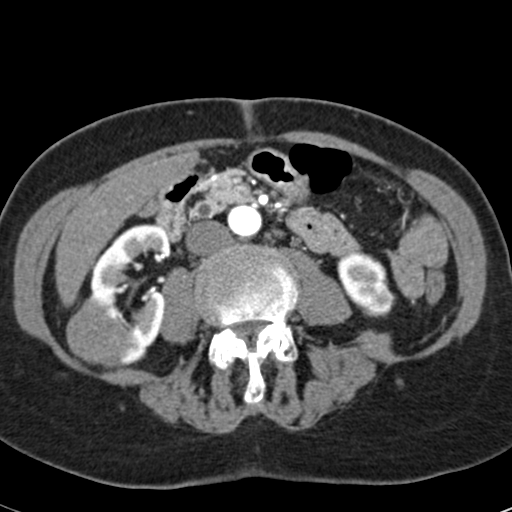
Abdominal CT with intravenous contrast, arterial phase, axial plane, 120 kVp, kernel B30f. Slice 19/53 from the bottom of the scan; thickness 3.00 mm; pixel size 0.547 mm.
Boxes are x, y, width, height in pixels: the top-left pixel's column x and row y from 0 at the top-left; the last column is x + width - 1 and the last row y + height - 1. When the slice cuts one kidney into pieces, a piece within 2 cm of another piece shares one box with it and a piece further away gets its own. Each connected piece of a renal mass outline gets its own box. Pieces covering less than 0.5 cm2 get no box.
Boxed on this slice (two kidney boxes and one renal mass box), listed by box centre from the image's left to its right: (1) Right renal mass, box x 66, y 296, width 76, height 73 (outlined area 3,397 px, about 10.2 cm2). (2) Box x 90, y 224, width 82, height 143: right kidney (outlined area 5,919 px, about 17.7 cm2). (3) Left kidney at x 337, y 251, width 59, height 67 (outlined area 2,683 px, about 8.0 cm2).